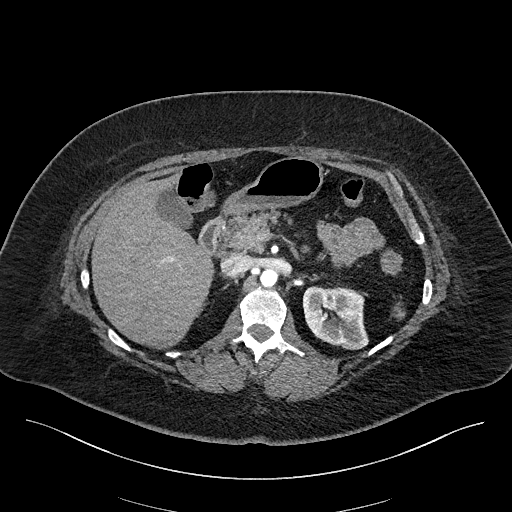
One axial slice (134 of 270, counting up from the lowest) of an arterial-phase abdominal CT acquired with 100 kVp, kernel I40f; each pixel is 0.855 mm and the slice is 2.00 mm thick.
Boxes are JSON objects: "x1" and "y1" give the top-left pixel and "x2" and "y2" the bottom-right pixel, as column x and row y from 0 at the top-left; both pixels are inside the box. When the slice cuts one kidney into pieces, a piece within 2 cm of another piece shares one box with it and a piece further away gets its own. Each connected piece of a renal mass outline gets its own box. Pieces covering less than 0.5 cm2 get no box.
Left kidney at {"x1": 302, "y1": 286, "x2": 368, "y2": 349} (outlined area 3,338 px, about 24.4 cm2). No renal mass is outlined on this slice.